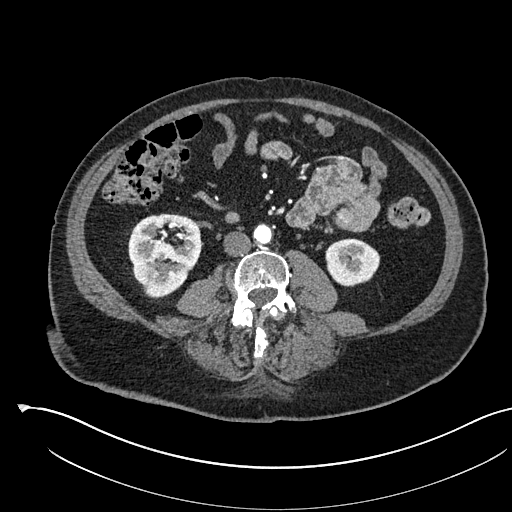
Axial slice 240 of 541 of a contrast-enhanced abdominal CT in the arterial phase (slice 1 is the lowest), 120 kVp, kernel I30f; 1.00 mm slice thickness and 0.834 mm pixels.
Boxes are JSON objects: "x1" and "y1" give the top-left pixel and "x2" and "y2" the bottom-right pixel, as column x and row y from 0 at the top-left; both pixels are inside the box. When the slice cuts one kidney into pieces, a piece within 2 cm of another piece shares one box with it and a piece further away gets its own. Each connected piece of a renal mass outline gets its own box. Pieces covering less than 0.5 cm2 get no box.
Boxed on this slice (two kidney boxes), listed by box centre from the image's left to its right: (1) Right kidney at {"x1": 128, "y1": 213, "x2": 200, "y2": 298} (outlined area 4,701 px, about 32.7 cm2). (2) Left kidney at {"x1": 325, "y1": 238, "x2": 380, "y2": 286} (outlined area 2,091 px, about 14.5 cm2). This slice carries no renal mass outline.